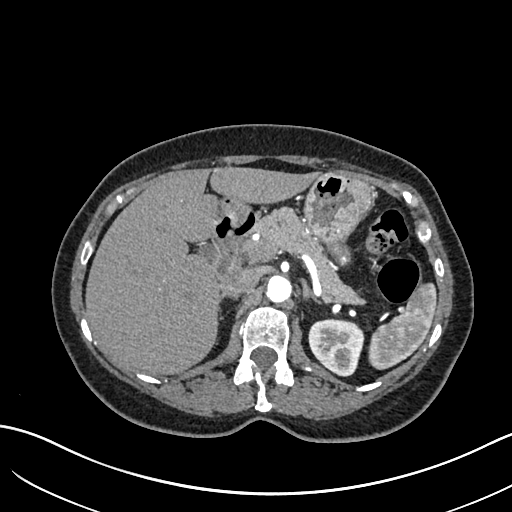
Abdominal CT with intravenous contrast, arterial phase, axial plane, 120 kVp, kernel I30f. Slice 450/683 from the bottom of the scan; thickness 1.00 mm; pixel size 0.738 mm.
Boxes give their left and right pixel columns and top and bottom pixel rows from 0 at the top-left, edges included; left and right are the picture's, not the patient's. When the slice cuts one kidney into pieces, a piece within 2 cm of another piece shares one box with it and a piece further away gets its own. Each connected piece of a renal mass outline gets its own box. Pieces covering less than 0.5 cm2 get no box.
Left kidney, the box with left 308, top 319, right 364, bottom 376 (outlined area 2,511 px, about 13.7 cm2). No renal mass is outlined on this slice.